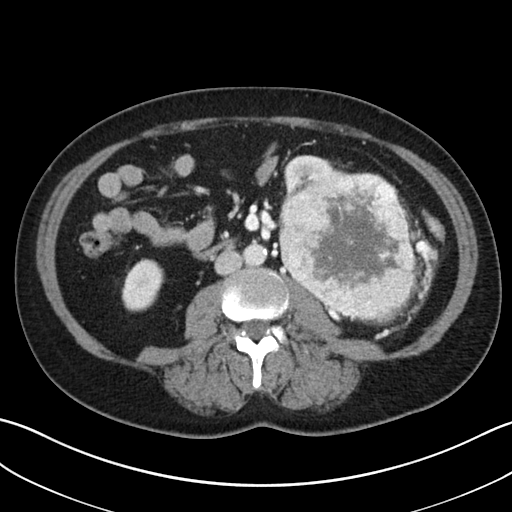
Abdominal CT with intravenous contrast, axial plane, 100 kVp, kernel I30f. Slice 9/38 from the bottom of the scan; thickness 5.00 mm; pixel size 0.730 mm.
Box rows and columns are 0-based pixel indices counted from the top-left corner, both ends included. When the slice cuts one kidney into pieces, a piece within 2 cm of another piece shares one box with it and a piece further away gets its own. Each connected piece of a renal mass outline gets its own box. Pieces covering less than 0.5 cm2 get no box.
Three boxes on this slice (two kidney boxes and one renal mass box), listed by box centre from the image's left to its right. (1) Box rows 258–311, columns 121–164: right kidney (outlined area 1,718 px, about 9.2 cm2). (2) Box rows 155–194, columns 284–335: left kidney (outlined area 1,136 px, about 6.1 cm2). (3) Left renal mass, box rows 170–320, columns 279–414 (outlined area 16,010 px, about 85.4 cm2).